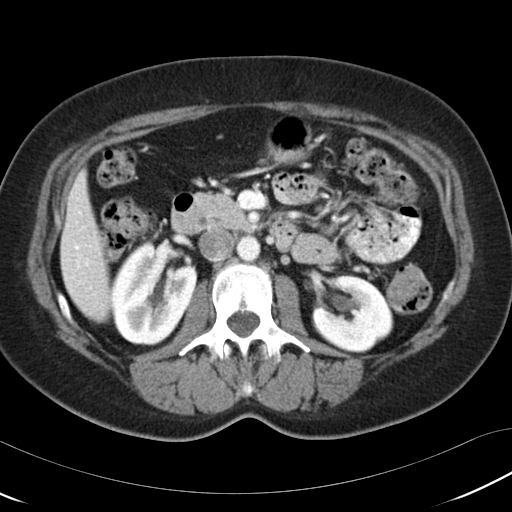
Axial slice 64 of 97 of a contrast-enhanced abdominal CT (slice 1 is the lowest), 120 kVp, kernel B30f; 5.00 mm slice thickness and 0.664 mm pixels.
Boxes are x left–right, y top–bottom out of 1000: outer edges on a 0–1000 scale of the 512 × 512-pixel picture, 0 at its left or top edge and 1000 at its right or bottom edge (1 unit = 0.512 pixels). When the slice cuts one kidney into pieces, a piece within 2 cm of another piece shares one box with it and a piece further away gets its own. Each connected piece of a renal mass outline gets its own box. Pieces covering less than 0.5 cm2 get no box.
Boxed on this slice (two kidney boxes), listed by box centre from the image's left to its right: (1) Box x 213–387, y 473–676 out of 1000: right kidney (outlined area 6,635 px, about 29.3 cm2). (2) Left kidney, box x 609–770, y 537–689 out of 1000 (outlined area 4,604 px, about 20.3 cm2). No renal mass outline on this slice.